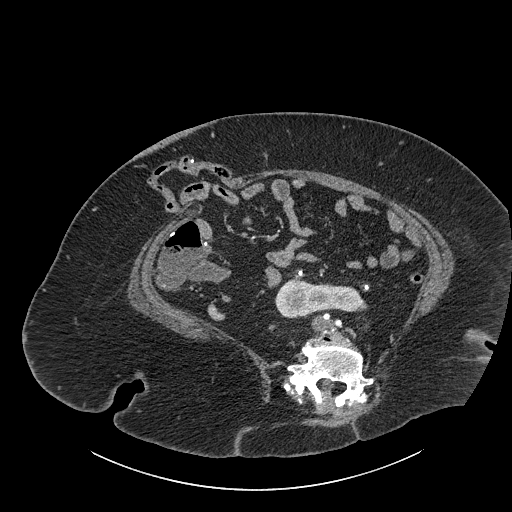
Axial slice 413 of 834 of a contrast-enhanced abdominal CT (slice 1 is the lowest), 140 kVp, kernel I30f; 1.00 mm slice thickness and 0.977 mm pixels.
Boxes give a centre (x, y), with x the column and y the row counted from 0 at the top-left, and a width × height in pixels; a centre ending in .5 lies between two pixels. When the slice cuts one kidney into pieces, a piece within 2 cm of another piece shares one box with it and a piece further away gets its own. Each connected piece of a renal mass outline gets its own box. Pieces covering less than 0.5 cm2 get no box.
Box centre (320.5, 298), 94 × 41 pixels: kidney crossing the body midline (outlined area 2,579 px, about 24.6 cm2). This slice carries no renal mass outline.